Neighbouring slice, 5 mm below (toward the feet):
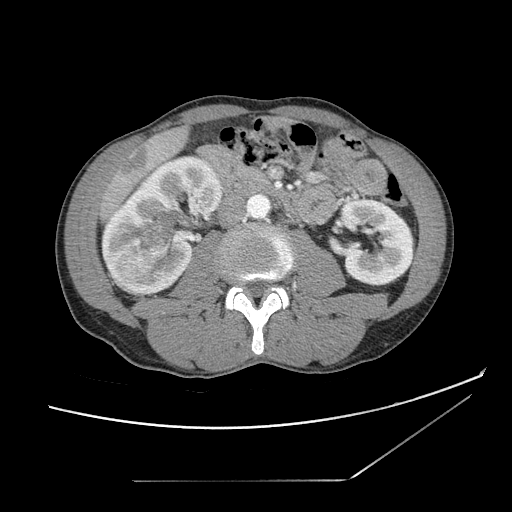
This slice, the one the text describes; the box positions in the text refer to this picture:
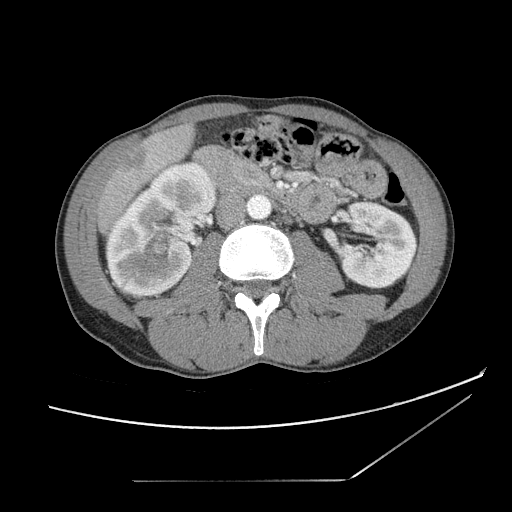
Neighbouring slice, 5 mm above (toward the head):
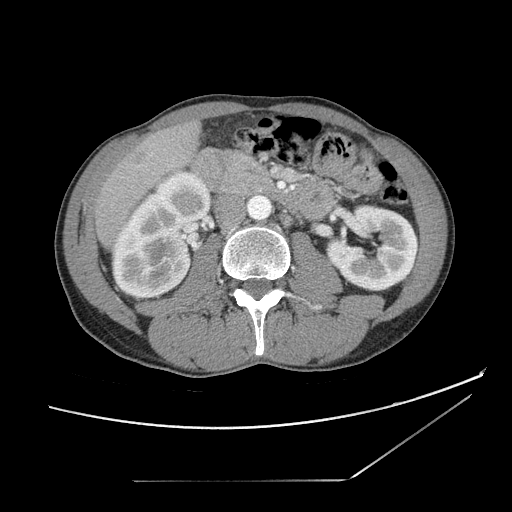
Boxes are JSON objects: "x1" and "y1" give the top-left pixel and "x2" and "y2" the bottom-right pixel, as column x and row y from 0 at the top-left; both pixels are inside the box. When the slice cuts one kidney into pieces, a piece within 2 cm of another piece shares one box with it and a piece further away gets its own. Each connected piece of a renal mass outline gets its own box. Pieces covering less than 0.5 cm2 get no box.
Contrast-enhanced abdominal CT, axial slice 54 of 121 (counted from the lowest slice); 2.50 mm thick, 0.742 mm per pixel. Two kidney boxes and one renal mass box on this slice; by box centre, from the image's left to its right: (1) Right renal mass, box {"x1": 153, "y1": 233, "x2": 167, "y2": 255} (outlined area 292 px, about 1.6 cm2). (2) Right kidney, box {"x1": 105, "y1": 159, "x2": 216, "y2": 299} (outlined area 10,012 px, about 55.2 cm2). (3) Left kidney at {"x1": 339, "y1": 200, "x2": 416, "y2": 289} (outlined area 5,355 px, about 29.5 cm2). This slice lies near the end of the right renal mass toward the head; the slices 5 mm below and 5 mm above it are shown too, and the boxes mark positions on this slice only.
Acquired at 120 kVp and reconstructed with the STANDARD kernel.